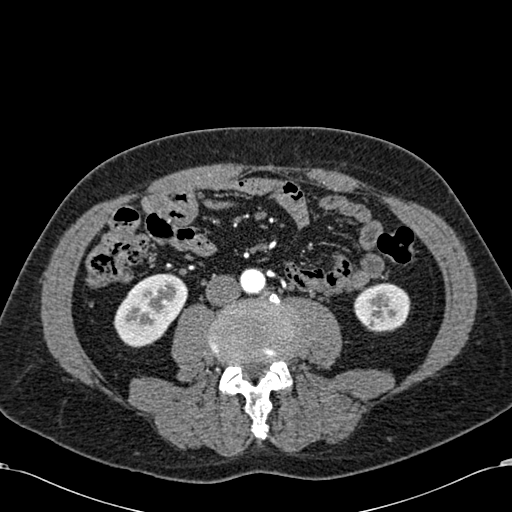
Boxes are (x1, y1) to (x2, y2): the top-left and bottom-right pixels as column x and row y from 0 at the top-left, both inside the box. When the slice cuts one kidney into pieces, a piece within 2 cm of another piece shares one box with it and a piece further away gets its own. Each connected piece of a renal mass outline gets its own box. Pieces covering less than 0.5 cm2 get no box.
Arterial-phase contrast-enhanced abdominal CT, axial slice 235 of 581 (counted from the lowest slice); 1.00 mm thick, 0.713 mm per pixel. Two boxes on this slice (two kidney boxes), listed by box centre from the image's left to its right. (1) Right kidney, box (113, 273) to (187, 347) (outlined area 3,806 px, about 19.3 cm2). (2) Left kidney, box (354, 283) to (410, 332) (outlined area 2,249 px, about 11.4 cm2). No renal mass is outlined on this slice.
Acquired at 120 kVp and reconstructed with the B30f kernel.